Arterial-phase contrast-enhanced abdominal CT, axial slice 58 of 85 (counted from the lowest slice); tube voltage 120 kVp, convolution kernel FC19; slices 5.00 mm thick, 1.041 mm per pixel.
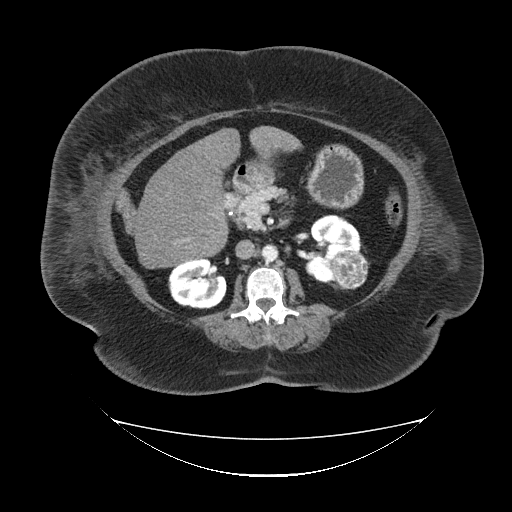
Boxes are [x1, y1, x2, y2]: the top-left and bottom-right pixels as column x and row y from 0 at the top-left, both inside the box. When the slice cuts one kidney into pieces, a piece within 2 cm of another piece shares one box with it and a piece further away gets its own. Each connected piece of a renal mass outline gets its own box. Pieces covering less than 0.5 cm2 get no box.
Two kidney boxes and one renal mass box on this slice; by box centre, from the image's left to its right: (1) Box [168, 258, 226, 308]: right kidney (outlined area 2,350 px, about 25.5 cm2). (2) Box [304, 214, 360, 281]: left kidney (outlined area 2,331 px, about 25.3 cm2). (3) Left renal mass, box [330, 251, 368, 289] (outlined area 1,179 px, about 12.8 cm2).